One axial slice (51 of 69, counting up from the lowest) of an arterial-phase abdominal CT acquired with 120 kVp, kernel STANDARD; each pixel is 0.846 mm and the slice is 2.50 mm thick.
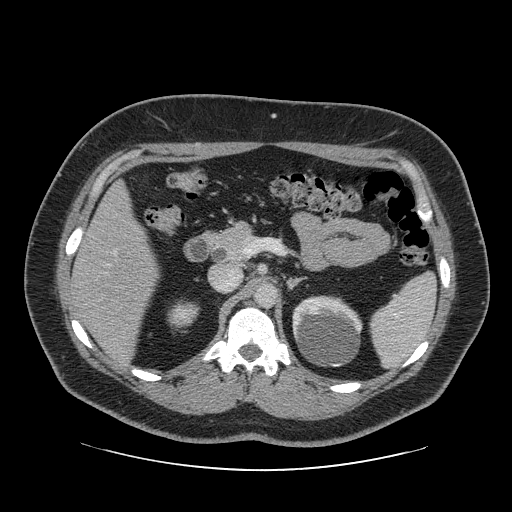
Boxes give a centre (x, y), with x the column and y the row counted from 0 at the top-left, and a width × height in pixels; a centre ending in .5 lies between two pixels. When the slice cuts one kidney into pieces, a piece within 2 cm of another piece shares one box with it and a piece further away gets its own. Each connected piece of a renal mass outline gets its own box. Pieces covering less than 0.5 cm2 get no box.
Two boxes on this slice (two kidney boxes), listed by box centre from the image's left to its right. (1) Right kidney, box centre (183.5, 314.5), 34 × 32 pixels (outlined area 720 px, about 5.1 cm2). (2) Left kidney, box centre (327, 331), 71 × 73 pixels (outlined area 4,094 px, about 29.3 cm2). No renal mass outline on this slice.